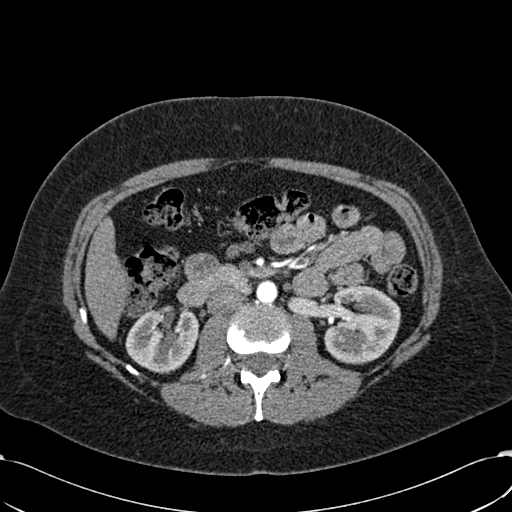
Axial slice 335 of 532 of a contrast-enhanced abdominal CT in the arterial phase (slice 1 is the lowest), 120 kVp, kernel B30f; 1.00 mm slice thickness and 0.713 mm pixels.
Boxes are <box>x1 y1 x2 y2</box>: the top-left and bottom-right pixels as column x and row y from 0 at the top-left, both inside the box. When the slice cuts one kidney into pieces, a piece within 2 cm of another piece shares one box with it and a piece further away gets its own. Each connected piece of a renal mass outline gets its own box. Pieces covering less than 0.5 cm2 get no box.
Boxed on this slice (two kidney boxes), listed by box centre from the image's left to its right: (1) At <box>125 308 199 373</box>: right kidney (outlined area 3,663 px, about 18.6 cm2). (2) Left kidney: <box>323 285 400 364</box> (outlined area 4,756 px, about 24.2 cm2). No renal mass outline on this slice.